One axial slice (69 of 88, counting up from the lowest) of an arterial-phase abdominal CT acquired with 120 kVp, kernel B41f; each pixel is 0.723 mm and the slice is 5.00 mm thick.
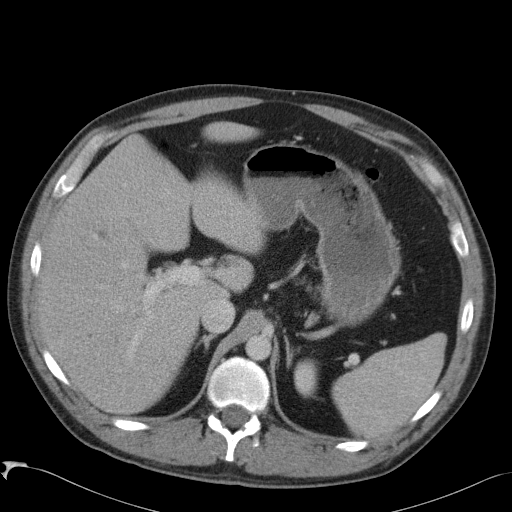
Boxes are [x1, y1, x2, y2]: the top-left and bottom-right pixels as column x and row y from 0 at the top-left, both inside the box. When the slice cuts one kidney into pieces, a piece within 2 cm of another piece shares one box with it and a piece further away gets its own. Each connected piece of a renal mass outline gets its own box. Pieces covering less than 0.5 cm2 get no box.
Left kidney at [294, 358, 317, 397] (outlined area 767 px, about 4.0 cm2). This slice carries no renal mass outline.